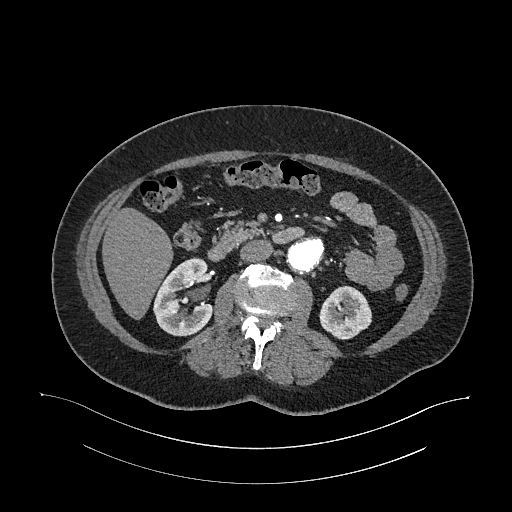
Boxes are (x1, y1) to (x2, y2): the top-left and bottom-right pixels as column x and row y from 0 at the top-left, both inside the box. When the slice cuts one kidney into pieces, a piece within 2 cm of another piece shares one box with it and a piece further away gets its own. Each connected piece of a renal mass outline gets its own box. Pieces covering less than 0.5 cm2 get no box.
Arterial-phase contrast-enhanced abdominal CT, axial slice 623 of 987 (counted from the lowest slice); 1.00 mm thick, 0.977 mm per pixel. Two kidney boxes on this slice; by box centre, from the image's left to its right: (1) Box (153, 257) to (213, 336): right kidney (outlined area 3,398 px, about 32.4 cm2). (2) Box (319, 285) to (371, 339): left kidney (outlined area 2,124 px, about 20.3 cm2). No renal mass outline on this slice.
Scan settings: 120 kVp, I26f reconstruction kernel.